Abdominal CT with intravenous contrast, arterial phase, axial plane, 120 kVp, kernel STANDARD. Slice 16/69 from the bottom of the scan; thickness 2.50 mm; pixel size 0.846 mm.
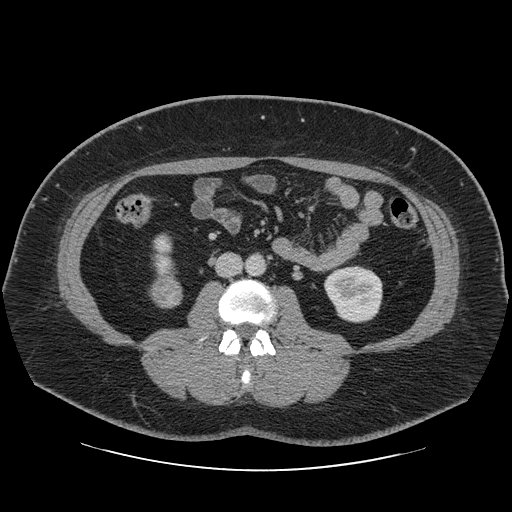
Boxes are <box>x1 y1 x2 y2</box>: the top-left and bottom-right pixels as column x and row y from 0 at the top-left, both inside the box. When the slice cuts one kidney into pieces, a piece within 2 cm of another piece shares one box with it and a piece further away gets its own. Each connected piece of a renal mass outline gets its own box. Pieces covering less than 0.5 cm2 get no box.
Three boxes on this slice (two kidney boxes and one renal mass box), listed by box centre from the image's left to its right. (1) Right kidney at <box>152 233 176 277</box> (outlined area 819 px, about 5.9 cm2). (2) Right renal mass: <box>149 275 183 308</box> (outlined area 901 px, about 6.4 cm2). (3) Left kidney at <box>323 266 382 322</box> (outlined area 2,649 px, about 18.9 cm2).